One axial slice (365 of 719, counting up from the lowest) of an arterial-phase abdominal CT acquired with 120 kVp, kernel B20f; each pixel is 0.766 mm and the slice is 1.00 mm thick.
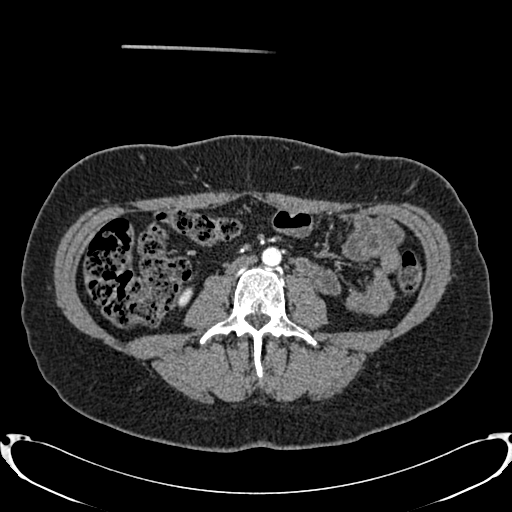
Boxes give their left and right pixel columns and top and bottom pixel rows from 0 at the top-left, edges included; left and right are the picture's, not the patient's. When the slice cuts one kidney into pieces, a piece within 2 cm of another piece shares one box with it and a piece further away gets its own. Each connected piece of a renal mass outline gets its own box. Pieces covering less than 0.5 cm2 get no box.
Right kidney, the box with left 181, top 291, right 190, bottom 303 (outlined area 88 px, about 0.5 cm2). No renal mass outline on this slice.